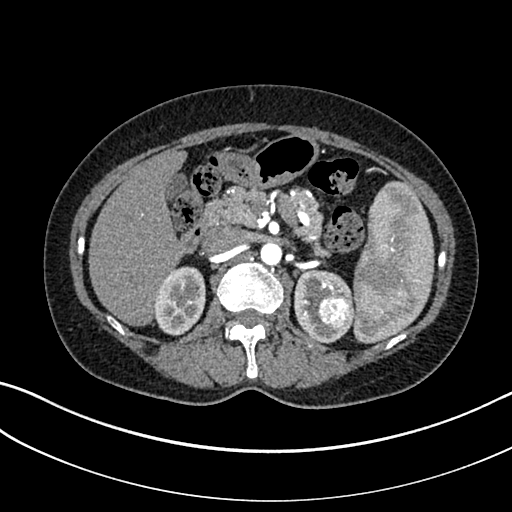
Axial slice 204 of 325 of a contrast-enhanced abdominal CT in the arterial phase (slice 1 is the lowest), 100 kVp, kernel I30f; 1.00 mm slice thickness and 0.703 mm pixels.
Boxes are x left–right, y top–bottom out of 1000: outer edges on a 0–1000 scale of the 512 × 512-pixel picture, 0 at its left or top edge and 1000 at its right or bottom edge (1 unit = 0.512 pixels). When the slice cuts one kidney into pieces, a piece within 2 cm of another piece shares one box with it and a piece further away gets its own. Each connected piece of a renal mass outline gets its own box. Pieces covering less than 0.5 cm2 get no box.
Two kidney boxes and one renal mass box on this slice; by box centre, from the image's left to its right: (1) Box x 299–402, y 520–656 out of 1000: right kidney (outlined area 2,804 px, about 13.9 cm2). (2) Left kidney, box x 574–693, y 523–672 out of 1000 (outlined area 2,592 px, about 12.8 cm2). (3) Left renal mass, box x 619–689, y 576–650 out of 1000 (outlined area 1,014 px, about 5.0 cm2).